One axial slice (400 of 723, counting up from the lowest) of an arterial-phase abdominal CT acquired with 120 kVp, kernel B30f; each pixel is 0.895 mm and the slice is 1.00 mm thick.
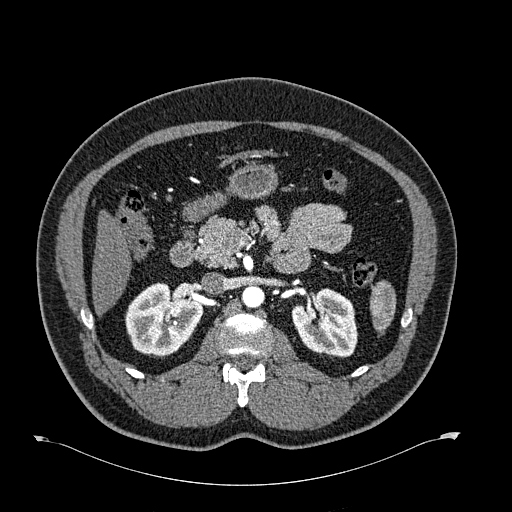
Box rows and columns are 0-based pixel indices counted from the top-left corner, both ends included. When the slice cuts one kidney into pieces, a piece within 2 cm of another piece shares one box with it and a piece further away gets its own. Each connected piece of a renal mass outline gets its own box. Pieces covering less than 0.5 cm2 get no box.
Two boxes on this slice (two kidney boxes), listed by box centre from the image's left to its right. (1) Right kidney at rows 282–357, columns 125–203 (outlined area 4,218 px, about 33.8 cm2). (2) Box rows 288–357, columns 291–358: left kidney (outlined area 3,483 px, about 27.9 cm2). No renal mass is outlined on this slice.